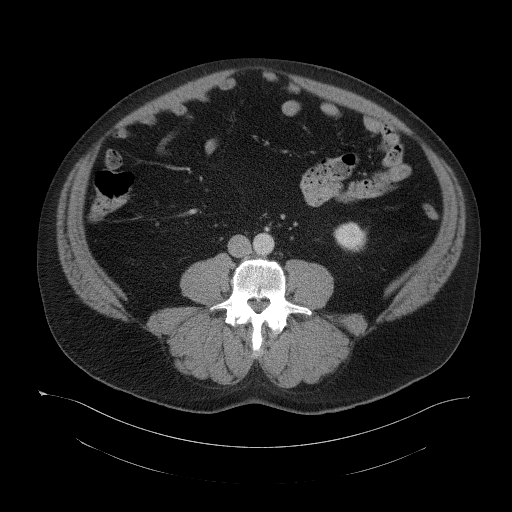
Contrast-enhanced abdominal CT, axial slice 52 of 104 (counted from the lowest slice); tube voltage 120 kVp, convolution kernel B41f; slices 5.00 mm thick, 0.977 mm per pixel.
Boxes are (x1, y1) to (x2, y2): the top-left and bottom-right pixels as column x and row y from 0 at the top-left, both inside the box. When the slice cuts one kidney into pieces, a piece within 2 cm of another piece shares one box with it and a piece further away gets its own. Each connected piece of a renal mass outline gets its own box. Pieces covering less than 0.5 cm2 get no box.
Left kidney, box (333, 222) to (366, 251) (outlined area 765 px, about 7.3 cm2). No renal mass is outlined on this slice.